One axial slice (58 of 121, counting up from the lowest) of a contrast-enhanced abdominal CT acquired with 120 kVp, kernel STANDARD; each pixel is 0.742 mm and the slice is 2.50 mm thick.
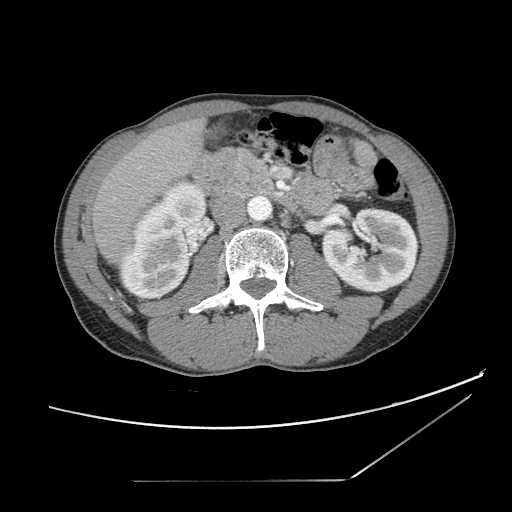
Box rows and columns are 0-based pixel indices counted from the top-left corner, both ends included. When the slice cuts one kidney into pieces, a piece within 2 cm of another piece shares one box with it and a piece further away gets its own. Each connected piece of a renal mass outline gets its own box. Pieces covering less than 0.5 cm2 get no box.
Boxed on this slice (two kidney boxes), listed by box centre from the image's left to its right: (1) Right kidney, box rows 180–301, columns 118–206 (outlined area 6,366 px, about 35.1 cm2). (2) Left kidney at rows 207–294, columns 321–418 (outlined area 6,322 px, about 34.8 cm2). No renal mass is outlined on this slice.